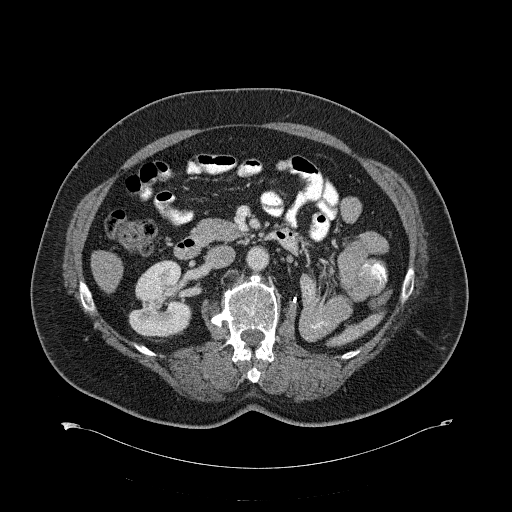
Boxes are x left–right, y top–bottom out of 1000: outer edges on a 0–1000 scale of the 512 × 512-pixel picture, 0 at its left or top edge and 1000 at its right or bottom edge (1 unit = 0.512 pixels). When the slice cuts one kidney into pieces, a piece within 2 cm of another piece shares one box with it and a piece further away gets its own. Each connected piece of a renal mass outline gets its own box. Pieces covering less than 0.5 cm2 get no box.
Slice 363/734 of a contrast-enhanced abdominal CT, counting up from the lowest; pixel size 0.971 mm, slice thickness 2.00 mm. Box x 250–377, y 508–660 out of 1000: right kidney (outlined area 3,562 px, about 33.6 cm2). This slice carries no renal mass outline.
Acquired at 120 kVp and reconstructed with the B31f kernel.